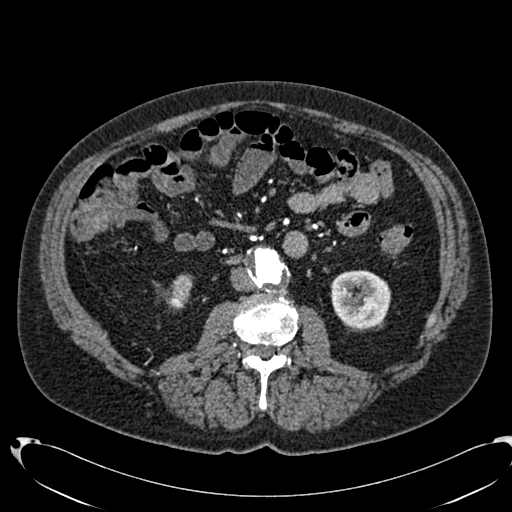
Axial slice 354 of 553 of a contrast-enhanced abdominal CT in the arterial phase (slice 1 is the lowest), 120 kVp, kernel B20f; 1.00 mm slice thickness and 0.773 mm pixels.
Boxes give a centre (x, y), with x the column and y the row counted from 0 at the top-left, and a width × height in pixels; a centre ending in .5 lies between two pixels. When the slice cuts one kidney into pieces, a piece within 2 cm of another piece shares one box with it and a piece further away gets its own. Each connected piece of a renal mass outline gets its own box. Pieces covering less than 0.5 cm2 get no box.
Two boxes on this slice (two kidney boxes), listed by box centre from the image's left to its right. (1) Right kidney in a box with centre (179.5, 292), 28 × 37 pixels (outlined area 668 px, about 4.0 cm2). (2) Left kidney, box centre (360.5, 298.5), 60 × 58 pixels (outlined area 2,816 px, about 16.8 cm2). No renal mass is outlined on this slice.